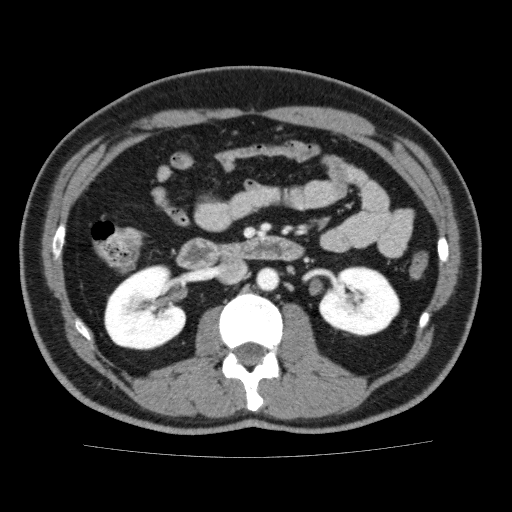
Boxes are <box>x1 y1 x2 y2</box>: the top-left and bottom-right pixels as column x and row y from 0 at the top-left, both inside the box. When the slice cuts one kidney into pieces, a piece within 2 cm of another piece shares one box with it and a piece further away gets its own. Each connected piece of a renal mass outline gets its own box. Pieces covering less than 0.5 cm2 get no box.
This is axial slice 98 of 159 (slice 1 is the lowest) of an abdominal CT with contrast; each pixel is 0.668 mm and the slice is 3.00 mm thick. Two kidney boxes on this slice; by box centre, from the image's left to its right: (1) Right kidney at <box>104 265 186 350</box> (outlined area 5,349 px, about 23.9 cm2). (2) Left kidney: <box>319 266 400 336</box> (outlined area 4,319 px, about 19.3 cm2). No renal mass outline on this slice.
Tube voltage 120 kVp; convolution kernel FC13.